Axial slice 57 of 77 of a contrast-enhanced abdominal CT in the arterial phase (slice 1 is the lowest), 100 kVp, kernel B41f; 3.00 mm slice thickness and 0.809 mm pixels.
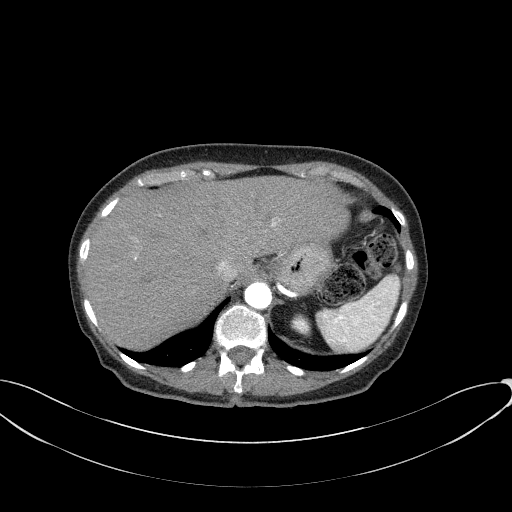
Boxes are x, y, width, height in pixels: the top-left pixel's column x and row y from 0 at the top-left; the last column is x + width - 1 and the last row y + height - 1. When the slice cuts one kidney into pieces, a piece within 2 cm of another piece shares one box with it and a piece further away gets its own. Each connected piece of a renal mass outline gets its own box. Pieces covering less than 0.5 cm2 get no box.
Left kidney, box x 290, y 313, width 21, height 24 (outlined area 355 px, about 2.3 cm2). No renal mass is outlined on this slice.